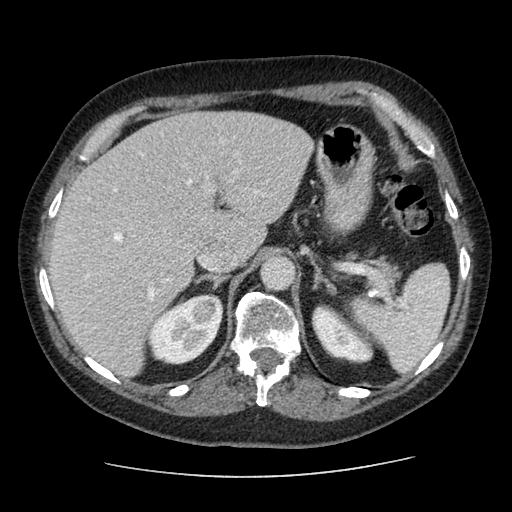
One axial slice (72 of 96, counting up from the lowest) of an arterial-phase abdominal CT acquired with 120 kVp, kernel STANDARD; each pixel is 0.689 mm and the slice is 2.50 mm thick.
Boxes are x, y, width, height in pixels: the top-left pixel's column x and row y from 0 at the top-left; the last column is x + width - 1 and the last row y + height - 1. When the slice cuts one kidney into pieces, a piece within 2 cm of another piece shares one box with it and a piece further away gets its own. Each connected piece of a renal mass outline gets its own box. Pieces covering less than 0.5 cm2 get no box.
Two kidney boxes and one renal mass box on this slice; by box centre, from the image's left to its right: (1) Right kidney, box x 146, y 293, width 78, height 72 (outlined area 3,424 px, about 16.3 cm2). (2) Right renal mass at x 192, y 300, width 25, height 26 (outlined area 481 px, about 2.3 cm2). (3) Box x 311, y 303, width 63, height 61: left kidney (outlined area 2,382 px, about 11.3 cm2).